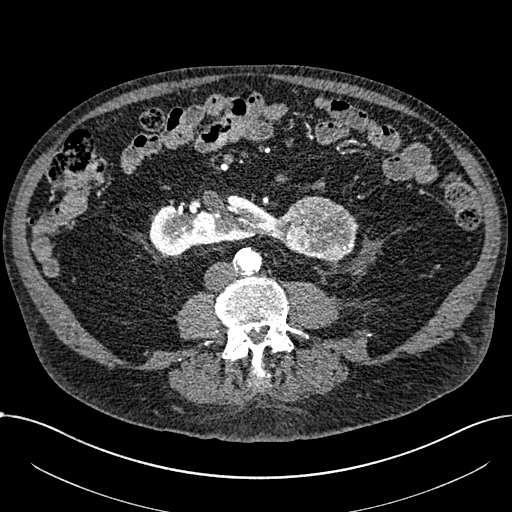
Abdominal CT with intravenous contrast, arterial phase, axial plane, 100 kVp, kernel I30f. Slice 275/1059 from the bottom of the scan; thickness 1.00 mm; pixel size 0.811 mm.
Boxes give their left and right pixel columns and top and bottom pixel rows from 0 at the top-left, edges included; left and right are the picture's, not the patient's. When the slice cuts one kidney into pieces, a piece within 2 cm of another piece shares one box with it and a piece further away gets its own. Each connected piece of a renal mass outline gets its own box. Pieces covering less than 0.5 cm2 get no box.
Boxed on this slice (one kidney box and one renal mass box), listed by box centre from the image's left to its right: (1) Right part of the midline-crossing kidney in the box with left 150, top 195, right 278, bottom 256 (outlined area 5,126 px, about 33.7 cm2). (2) Box with left 273, top 196, right 358, bottom 261: renal mass (outlined area 4,067 px, about 26.7 cm2).